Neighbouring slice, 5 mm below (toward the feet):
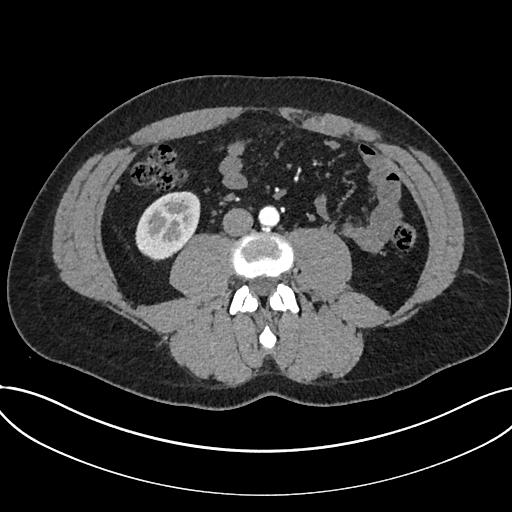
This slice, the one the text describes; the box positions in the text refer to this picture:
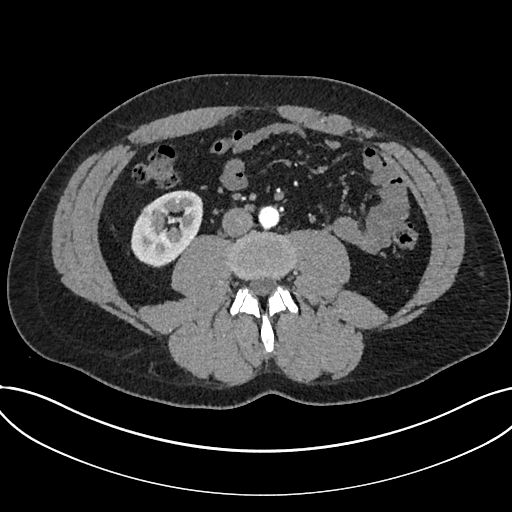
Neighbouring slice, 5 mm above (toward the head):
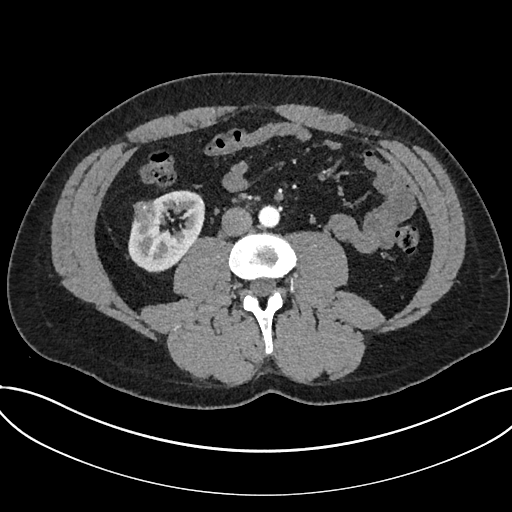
Arterial-phase contrast-enhanced abdominal CT, axial slice 309 of 735 (counted from the lowest slice); tube voltage 120 kVp, convolution kernel I30f; slices 1.00 mm thick, 0.789 mm per pixel.
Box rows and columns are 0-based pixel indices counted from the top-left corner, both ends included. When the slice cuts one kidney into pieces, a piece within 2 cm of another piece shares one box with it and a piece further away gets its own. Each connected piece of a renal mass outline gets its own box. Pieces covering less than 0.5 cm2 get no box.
Two boxes on this slice (one kidney box and one renal mass box), listed by box centre from the image's left to its right. (1) Renal mass, box rows 204–217, columns 141–156 (outlined area 169 px, about 1.1 cm2). (2) Kidney, box rows 190–266, columns 131–203 (outlined area 3,846 px, about 23.9 cm2). This slice is near the end of a renal mass toward the feet, so the slices 5 mm below and 5 mm above it are shown as well; the boxes refer to this slice only.